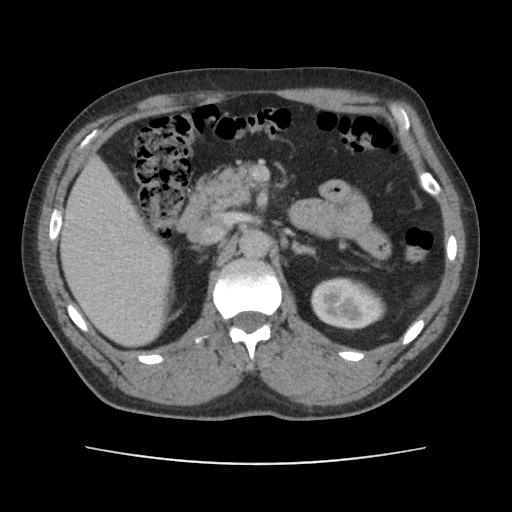
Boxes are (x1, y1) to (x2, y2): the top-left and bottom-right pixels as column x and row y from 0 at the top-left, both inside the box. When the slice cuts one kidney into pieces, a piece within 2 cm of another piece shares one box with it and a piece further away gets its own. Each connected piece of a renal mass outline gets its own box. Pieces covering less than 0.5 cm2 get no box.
Arterial-phase contrast-enhanced abdominal CT, axial slice 73 of 101 (counted from the lowest slice); 5.00 mm thick, 0.755 mm per pixel. Box (310, 277) to (386, 330): left kidney (outlined area 3,056 px, about 17.4 cm2). This slice carries no renal mass outline.
Tube voltage 120 kVp; convolution kernel FC14.